Contrast-enhanced abdominal CT, axial slice 272 of 433 (counted from the lowest slice); tube voltage 120 kVp, convolution kernel B30f; slices 1.00 mm thick, 0.672 mm per pixel.
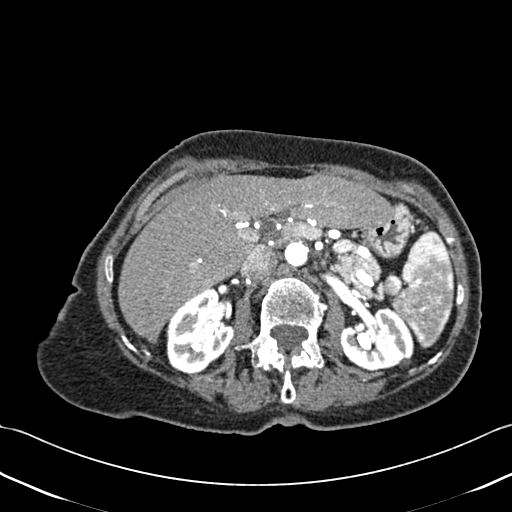
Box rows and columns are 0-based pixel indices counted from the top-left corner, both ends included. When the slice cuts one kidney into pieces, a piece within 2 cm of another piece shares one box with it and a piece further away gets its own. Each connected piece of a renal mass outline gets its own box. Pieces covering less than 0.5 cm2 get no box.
Boxed on this slice (two kidney boxes), listed by box centre from the image's left to its right: (1) Right kidney at rows 289–373, columns 166–234 (outlined area 4,168 px, about 18.8 cm2). (2) Box rows 307–371, columns 340–413: left kidney (outlined area 3,543 px, about 16.0 cm2).